One axial slice (349 of 673, counting up from the lowest) of an arterial-phase abdominal CT acquired with 120 kVp, kernel I30f; each pixel is 0.855 mm and the slice is 1.00 mm thick.
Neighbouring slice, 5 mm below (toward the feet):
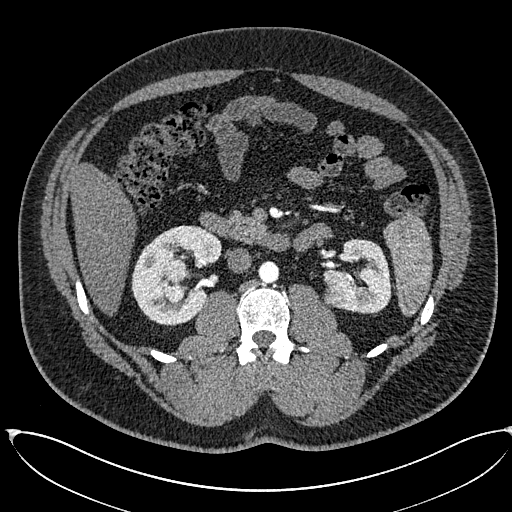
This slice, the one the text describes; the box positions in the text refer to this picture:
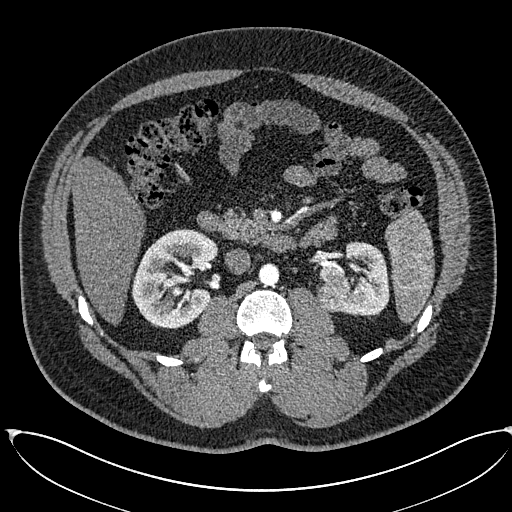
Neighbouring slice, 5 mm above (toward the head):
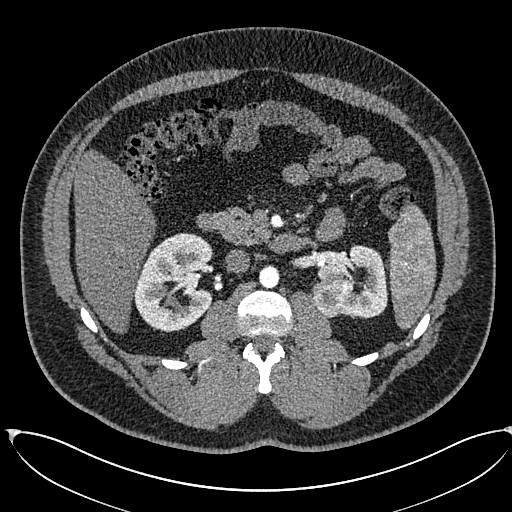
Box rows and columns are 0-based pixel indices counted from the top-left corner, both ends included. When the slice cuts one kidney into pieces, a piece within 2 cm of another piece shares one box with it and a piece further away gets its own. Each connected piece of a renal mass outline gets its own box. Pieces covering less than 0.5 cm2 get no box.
Four boxes on this slice (two kidney boxes and two renal mass boxes), listed by box centre from the image's left to its right. (1) Right kidney at rows 228–328, columns 131–219 (outlined area 6,080 px, about 44.5 cm2). (2) Right renal mass, box rows 287–297, columns 170–181 (outlined area 98 px, about 0.7 cm2). (3) Left renal mass at rows 279–311, columns 316–350 (outlined area 912 px, about 6.7 cm2). (4) Left kidney at rows 241–316, columns 319–389 (outlined area 3,284 px, about 24.0 cm2). This slice lies near the end of the right renal mass toward the head; the slices 5 mm below and 5 mm above it are shown too, and the boxes mark positions on this slice only.